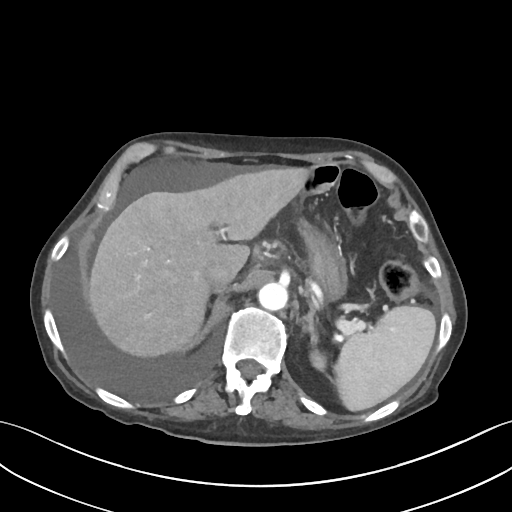
Abdominal CT with intravenous contrast, axial plane, 120 kVp, kernel I30f. Slice 69/109 from the bottom of the scan; thickness 3.00 mm; pixel size 0.742 mm.
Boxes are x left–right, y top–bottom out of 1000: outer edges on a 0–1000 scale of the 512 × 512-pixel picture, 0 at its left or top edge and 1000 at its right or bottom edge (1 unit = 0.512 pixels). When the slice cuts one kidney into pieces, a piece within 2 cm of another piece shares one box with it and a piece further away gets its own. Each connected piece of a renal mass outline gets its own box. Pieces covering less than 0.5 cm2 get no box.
Box x 604–641, y 680–717 out of 1000: left kidney (outlined area 279 px, about 1.5 cm2). This slice carries no renal mass outline.